Axial slice 307 of 527 of a contrast-enhanced abdominal CT in the arterial phase (slice 1 is the lowest), 120 kVp, kernel I30f; 1.00 mm slice thickness and 0.859 mm pixels.
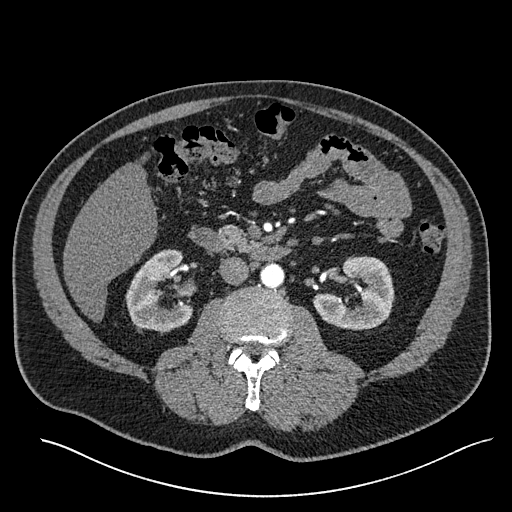
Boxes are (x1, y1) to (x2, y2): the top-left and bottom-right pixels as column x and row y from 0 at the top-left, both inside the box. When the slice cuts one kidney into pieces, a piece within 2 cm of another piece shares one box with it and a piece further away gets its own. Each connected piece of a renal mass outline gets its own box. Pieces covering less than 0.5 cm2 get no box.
Two kidney boxes on this slice; by box centre, from the image's left to its right: (1) Right kidney from (125, 249) to (192, 331) (outlined area 3,902 px, about 28.8 cm2). (2) Box (312, 256) to (394, 330): left kidney (outlined area 4,122 px, about 30.4 cm2). No renal mass is outlined on this slice.